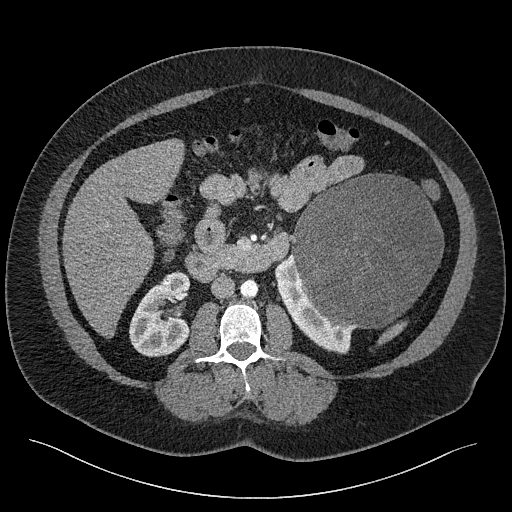
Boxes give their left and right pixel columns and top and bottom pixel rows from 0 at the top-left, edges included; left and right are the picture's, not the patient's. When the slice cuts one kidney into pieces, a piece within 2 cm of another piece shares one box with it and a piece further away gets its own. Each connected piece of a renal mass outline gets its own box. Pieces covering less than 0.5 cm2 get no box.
Contrast-enhanced abdominal CT, axial slice 120 of 301 (counted from the lowest slice); 2.00 mm thick, 0.859 mm per pixel. Three boxes on this slice (two kidney boxes and one renal mass box), listed by box centre from the image's left to its right. (1) Right kidney, the box with left 129, top 271, right 190, bottom 357 (outlined area 3,781 px, about 27.9 cm2). (2) Left kidney, the box with left 274, top 253, right 356, bottom 353 (outlined area 2,712 px, about 20.0 cm2). (3) Left renal mass, the box with left 291, top 173, right 443, bottom 328 (outlined area 18,262 px, about 134.9 cm2).
Tube voltage 120 kVp; convolution kernel I40f.